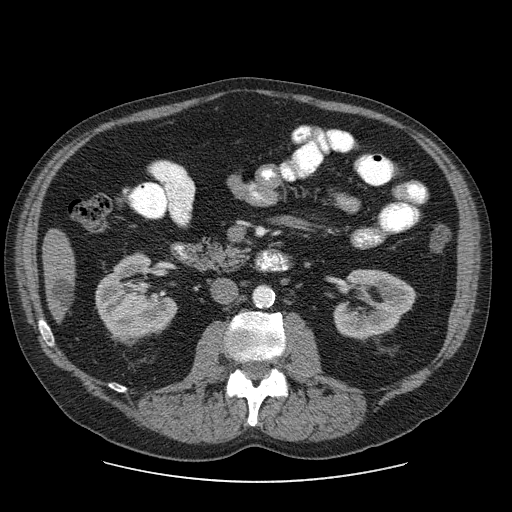
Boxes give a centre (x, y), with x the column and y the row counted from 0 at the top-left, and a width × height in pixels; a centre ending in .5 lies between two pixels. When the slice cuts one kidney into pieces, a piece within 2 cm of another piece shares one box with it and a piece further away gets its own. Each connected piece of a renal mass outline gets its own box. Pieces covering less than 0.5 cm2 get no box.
Slice 33/103 of a contrast-enhanced abdominal CT, counting up from the lowest; pixel size 0.820 mm, slice thickness 2.50 mm. Two kidney boxes on this slice; by box centre, from the image's left to its right: (1) Box centre (136, 299), 83 × 93 pixels: right kidney (outlined area 4,786 px, about 32.2 cm2). (2) Left kidney in a box with centre (374.5, 304), 84 × 71 pixels (outlined area 3,988 px, about 26.8 cm2). No renal mass outline on this slice.
Tube voltage 120 kVp; convolution kernel STANDARD.